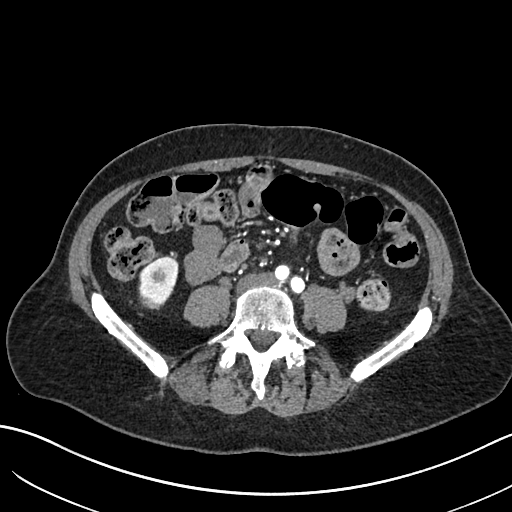
Abdominal CT with intravenous contrast, arterial phase, axial plane, 120 kVp, kernel I30f. Slice 253/683 from the bottom of the scan; thickness 1.00 mm; pixel size 0.738 mm.
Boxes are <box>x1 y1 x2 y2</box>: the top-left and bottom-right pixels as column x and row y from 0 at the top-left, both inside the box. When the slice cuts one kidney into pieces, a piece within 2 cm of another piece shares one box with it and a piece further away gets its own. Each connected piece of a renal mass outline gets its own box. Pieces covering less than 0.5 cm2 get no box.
One kidney box and one renal mass box on this slice; by box centre, from the image's left to its right: (1) Right renal mass at <box>139 285 163 307</box> (outlined area 469 px, about 2.6 cm2). (2) Right kidney at <box>138 255 178 303</box> (outlined area 1,178 px, about 6.4 cm2).